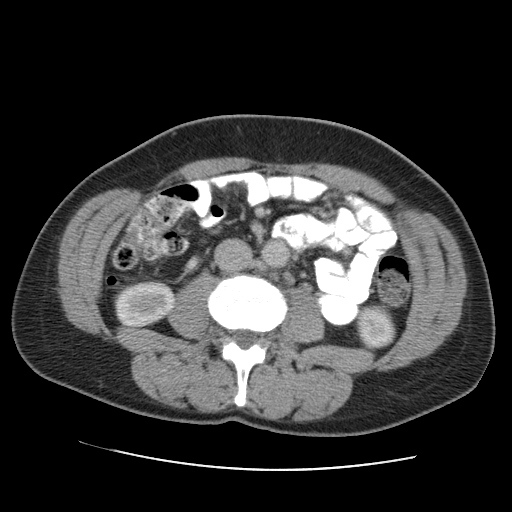
Arterial-phase contrast-enhanced abdominal CT, axial slice 60 of 105 (counted from the lowest slice); tube voltage 120 kVp, convolution kernel STANDARD; slices 5.00 mm thick, 0.707 mm per pixel.
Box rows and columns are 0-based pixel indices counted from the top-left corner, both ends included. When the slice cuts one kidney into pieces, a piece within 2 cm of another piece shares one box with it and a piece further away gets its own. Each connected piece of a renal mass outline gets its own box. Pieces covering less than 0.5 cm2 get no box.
Two kidney boxes on this slice; by box centre, from the image's left to its right: (1) Box rows 280–327, columns 114–174: right kidney (outlined area 2,246 px, about 11.2 cm2). (2) Left kidney, box rows 307–347, columns 354–395 (outlined area 1,386 px, about 6.9 cm2). No renal mass outline on this slice.